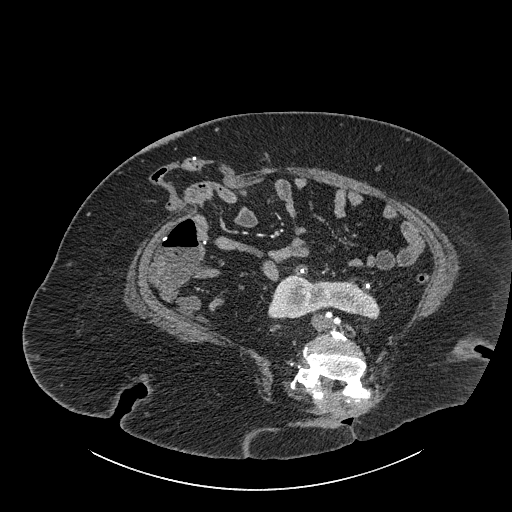
Axial slice 425 of 834 of a contrast-enhanced abdominal CT (slice 1 is the lowest), 140 kVp, kernel I30f; 1.00 mm slice thickness and 0.977 mm pixels.
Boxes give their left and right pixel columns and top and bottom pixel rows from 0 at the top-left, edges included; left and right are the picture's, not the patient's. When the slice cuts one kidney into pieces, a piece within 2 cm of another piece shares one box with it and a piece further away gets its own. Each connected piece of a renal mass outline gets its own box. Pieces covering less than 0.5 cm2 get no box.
Kidney crossing the body midline in the box with left 268, top 274, right 379, bottom 319 (outlined area 3,498 px, about 33.4 cm2). No renal mass is outlined on this slice.